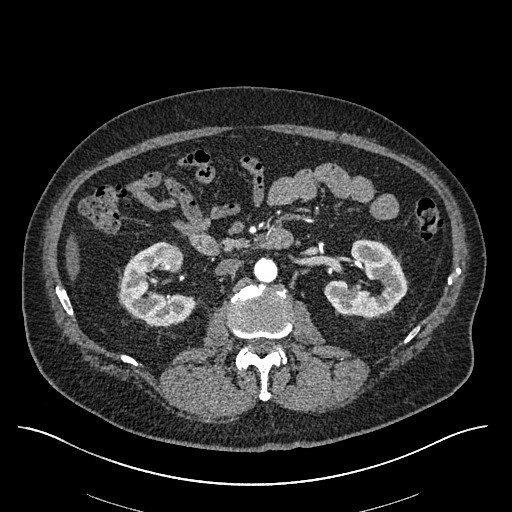
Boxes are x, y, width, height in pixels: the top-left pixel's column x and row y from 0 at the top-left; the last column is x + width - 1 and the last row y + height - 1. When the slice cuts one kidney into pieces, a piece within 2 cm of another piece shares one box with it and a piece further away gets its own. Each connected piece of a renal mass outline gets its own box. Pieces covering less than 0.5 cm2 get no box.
This is axial slice 322 of 670 (slice 1 is the lowest) of an arterial-phase abdominal CT with contrast; each pixel is 0.861 mm and the slice is 1.00 mm thick. Three boxes on this slice (two kidney boxes and one renal mass box), listed by box centre from the image's left to its right. (1) Right kidney, box x 119, y 241, width 77, height 86 (outlined area 3,687 px, about 27.4 cm2). (2) Box x 158, y 244, width 27, height 27: right renal mass (outlined area 534 px, about 4.0 cm2). (3) Left kidney at x 323, y 239, width 84, height 79 (outlined area 4,141 px, about 30.7 cm2).
Scan settings: 120 kVp, I30f reconstruction kernel.